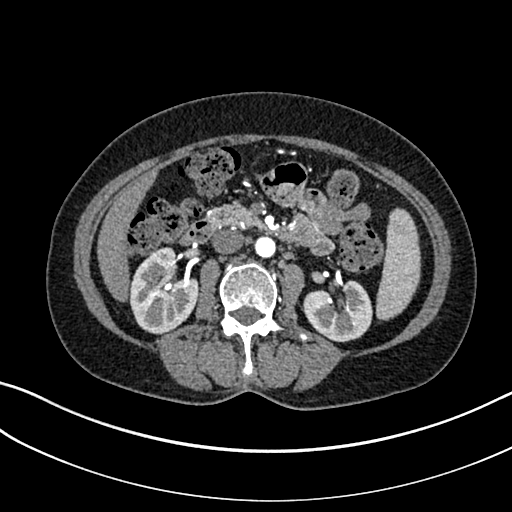
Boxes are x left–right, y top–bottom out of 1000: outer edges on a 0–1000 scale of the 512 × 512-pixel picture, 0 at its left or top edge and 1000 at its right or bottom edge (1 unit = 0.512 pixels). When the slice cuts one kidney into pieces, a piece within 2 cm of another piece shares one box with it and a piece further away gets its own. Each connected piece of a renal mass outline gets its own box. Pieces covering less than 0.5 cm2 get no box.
This is axial slice 152 of 325 (slice 1 is the lowest) of an arterial-phase abdominal CT with contrast; each pixel is 0.703 mm and the slice is 1.00 mm thick. Two boxes on this slice (two kidney boxes), listed by box centre from the image's left to its right. (1) Box x 252–389, y 482–654 out of 1000: right kidney (outlined area 4,372 px, about 21.6 cm2). (2) Box x 590–729, y 547–670 out of 1000: left kidney (outlined area 3,175 px, about 15.7 cm2). No renal mass outline on this slice.
Acquired at 100 kVp and reconstructed with the I30f kernel.